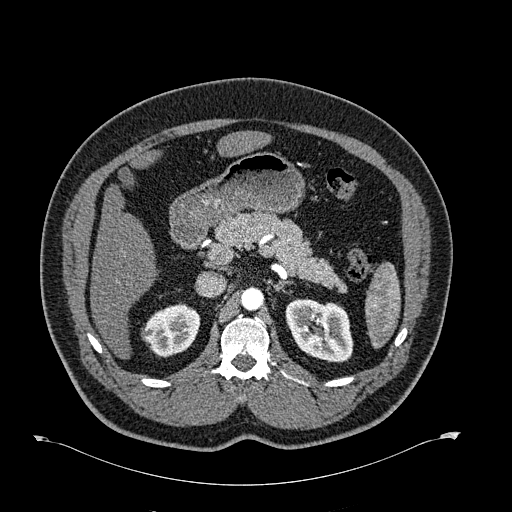
Axial slice 432 of 723 of a contrast-enhanced abdominal CT in the arterial phase (slice 1 is the lowest), 120 kVp, kernel B30f; 1.00 mm slice thickness and 0.895 mm pixels.
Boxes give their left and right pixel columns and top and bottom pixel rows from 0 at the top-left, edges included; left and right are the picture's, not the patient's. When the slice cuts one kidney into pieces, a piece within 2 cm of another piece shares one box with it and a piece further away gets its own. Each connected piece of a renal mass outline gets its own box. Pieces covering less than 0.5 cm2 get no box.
Two boxes on this slice (two kidney boxes), listed by box centre from the image's left to its right. (1) Right kidney, the box with left 141, top 302, right 199, bottom 357 (outlined area 2,325 px, about 18.6 cm2). (2) Box with left 285, top 298, right 353, bottom 362: left kidney (outlined area 3,363 px, about 26.9 cm2). This slice carries no renal mass outline.